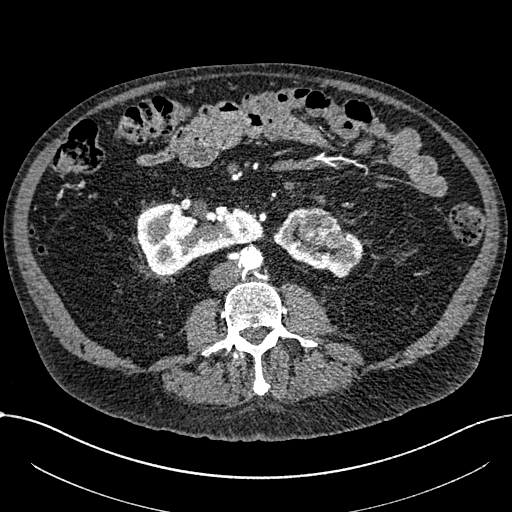
Arterial-phase contrast-enhanced abdominal CT, axial slice 318 of 1059 (counted from the lowest slice); tube voltage 100 kVp, convolution kernel I30f; slices 1.00 mm thick, 0.811 mm per pixel.
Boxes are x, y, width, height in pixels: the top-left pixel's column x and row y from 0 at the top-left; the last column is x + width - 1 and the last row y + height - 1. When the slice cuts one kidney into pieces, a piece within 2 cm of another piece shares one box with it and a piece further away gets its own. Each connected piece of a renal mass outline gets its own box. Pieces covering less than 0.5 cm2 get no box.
Two kidney boxes and one renal mass box on this slice; by box centre, from the image's left to its right: (1) Right part of the midline-crossing kidney at x 137, y 202, width 127, height 72 (outlined area 6,145 px, about 40.4 cm2). (2) Left part of the midline-crossing kidney at x 274, y 207, width 90, height 71 (outlined area 2,570 px, about 16.9 cm2). (3) Renal mass, box x 296, y 207, width 49, height 43 (outlined area 1,470 px, about 9.7 cm2).